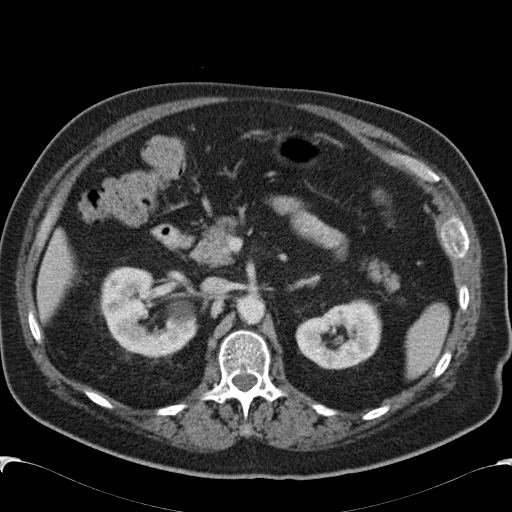
One axial slice (75 of 99, counting up from the lowest) of a contrast-enhanced abdominal CT acquired with 120 kVp, kernel B31f; each pixel is 0.742 mm and the slice is 5.00 mm thick.
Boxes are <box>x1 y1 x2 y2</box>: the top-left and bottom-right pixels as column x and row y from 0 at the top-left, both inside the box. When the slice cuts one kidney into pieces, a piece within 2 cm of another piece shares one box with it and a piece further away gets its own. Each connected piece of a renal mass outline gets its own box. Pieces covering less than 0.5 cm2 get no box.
Boxed on this slice (two kidney boxes), listed by box centre from the image's left to its right: (1) At <box>99 266 198 357</box>: right kidney (outlined area 6,150 px, about 33.9 cm2). (2) At <box>295 299 381 369</box>: left kidney (outlined area 4,375 px, about 24.1 cm2). No renal mass outline on this slice.